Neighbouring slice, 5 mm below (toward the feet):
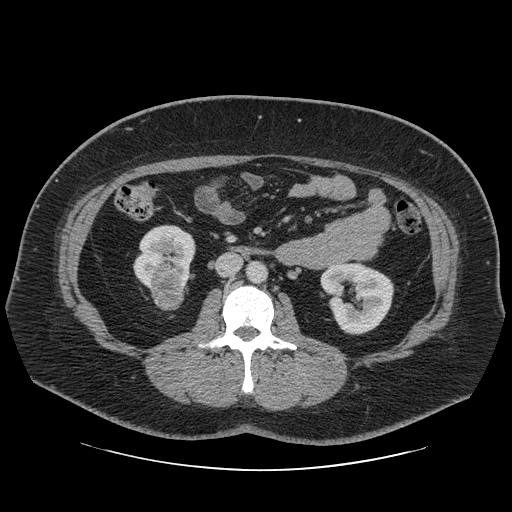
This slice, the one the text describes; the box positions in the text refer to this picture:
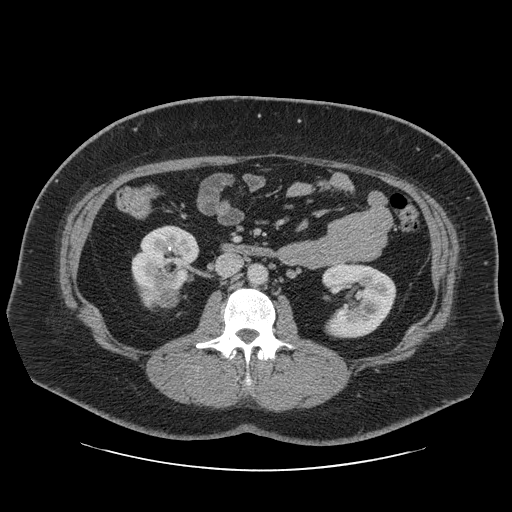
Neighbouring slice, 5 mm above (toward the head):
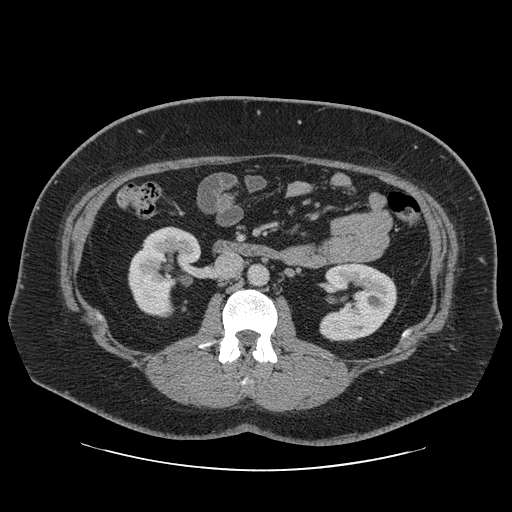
Abdominal CT with intravenous contrast, arterial phase, axial plane, 120 kVp, kernel STANDARD. Slice 26/69 from the bottom of the scan; thickness 2.50 mm; pixel size 0.846 mm.
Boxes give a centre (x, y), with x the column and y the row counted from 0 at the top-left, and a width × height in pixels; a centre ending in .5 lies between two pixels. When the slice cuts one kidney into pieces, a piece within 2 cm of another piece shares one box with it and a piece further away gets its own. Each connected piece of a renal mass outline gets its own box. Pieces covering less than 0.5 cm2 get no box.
Two kidney boxes and one renal mass box on this slice; by box centre, from the image's left to its right: (1) Right kidney, box centre (165, 267.5), 69 × 86 pixels (outlined area 3,775 px, about 27.0 cm2). (2) Right renal mass, box centre (167, 296), 19 × 17 pixels (outlined area 251 px, about 1.8 cm2). (3) Box centre (358.5, 300.5), 76 × 76 pixels: left kidney (outlined area 4,197 px, about 30.0 cm2). This slice lies near the end of the right renal mass toward the head; the slices 5 mm below and 5 mm above it are shown too, and the boxes mark positions on this slice only.